Abdominal CT with intravenous contrast, arterial phase, axial plane, 120 kVp, kernel I30f. Slice 453/705 from the bottom of the scan; thickness 1.00 mm; pixel size 0.703 mm.
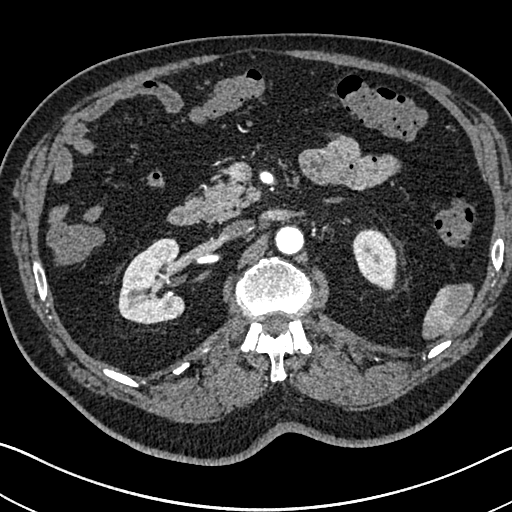
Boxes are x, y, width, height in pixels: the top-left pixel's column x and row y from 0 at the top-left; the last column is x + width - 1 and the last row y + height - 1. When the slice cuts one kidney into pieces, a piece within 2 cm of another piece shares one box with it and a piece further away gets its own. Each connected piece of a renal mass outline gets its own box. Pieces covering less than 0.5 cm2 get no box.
Two boxes on this slice (two kidney boxes), listed by box centre from the image's left to its right. (1) Right kidney at x 117, y 238, width 68, height 87 (outlined area 4,343 px, about 21.5 cm2). (2) Left kidney, box x 352, y 228, width 46, height 63 (outlined area 2,085 px, about 10.3 cm2). No renal mass is outlined on this slice.